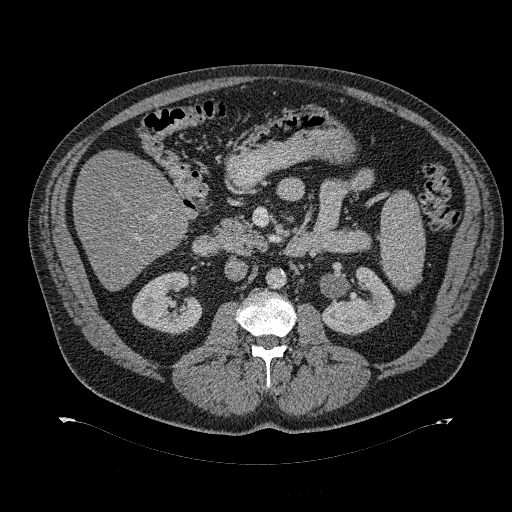
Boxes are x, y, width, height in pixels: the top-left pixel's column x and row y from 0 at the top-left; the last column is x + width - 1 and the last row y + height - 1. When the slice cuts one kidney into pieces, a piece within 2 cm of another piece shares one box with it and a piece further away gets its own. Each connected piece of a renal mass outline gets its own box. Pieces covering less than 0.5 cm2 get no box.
Contrast-enhanced abdominal CT, axial slice 180 of 274 (counted from the lowest slice); 2.00 mm thick, 0.977 mm per pixel. Two boxes on this slice (two kidney boxes), listed by box centre from the image's left to its right. (1) Box x 132, y 271, width 72, height 65: right kidney (outlined area 3,102 px, about 29.6 cm2). (2) Left kidney at x 322, y 266, width 74, height 70 (outlined area 3,141 px, about 30.0 cm2). No renal mass is outlined on this slice.
Tube voltage 120 kVp; convolution kernel B31f.